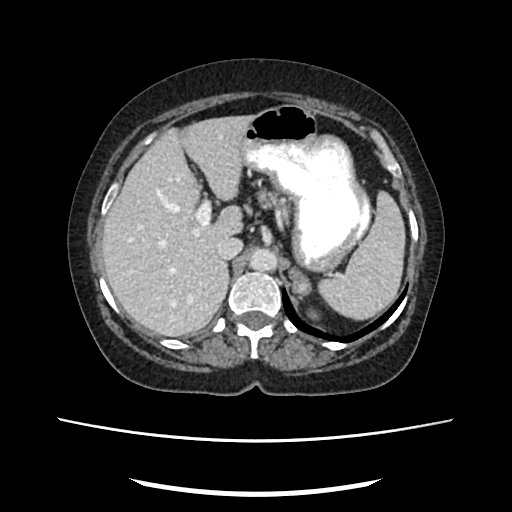
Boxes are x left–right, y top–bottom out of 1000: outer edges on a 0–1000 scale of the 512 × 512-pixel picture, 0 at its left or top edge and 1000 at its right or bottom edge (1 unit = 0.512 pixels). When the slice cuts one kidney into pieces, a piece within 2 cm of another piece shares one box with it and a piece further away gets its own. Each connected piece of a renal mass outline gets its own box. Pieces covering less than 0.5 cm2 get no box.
Arterial-phase contrast-enhanced abdominal CT, axial slice 163 of 207 (counted from the lowest slice); 2.00 mm thick, 0.741 mm per pixel. Left kidney at x 600–625, y 602–627 out of 1000 (outlined area 111 px, about 0.6 cm2). No renal mass is outlined on this slice.
Scan settings: 120 kVp, FC18 reconstruction kernel.